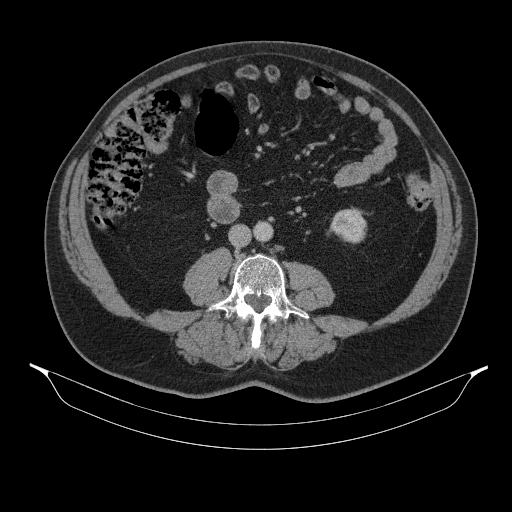
Abdominal CT with intravenous contrast, axial plane, 130 kVp, kernel B31s. Slice 163/314 from the bottom of the scan; thickness 2.50 mm; pixel size 0.934 mm.
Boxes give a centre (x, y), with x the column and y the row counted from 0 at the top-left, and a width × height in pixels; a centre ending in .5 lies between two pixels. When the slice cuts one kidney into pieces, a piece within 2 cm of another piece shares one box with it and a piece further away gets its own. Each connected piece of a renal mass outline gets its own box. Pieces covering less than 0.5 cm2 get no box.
Left kidney in a box with centre (346.5, 225), 40 × 37 pixels (outlined area 1,041 px, about 9.1 cm2). This slice carries no renal mass outline.